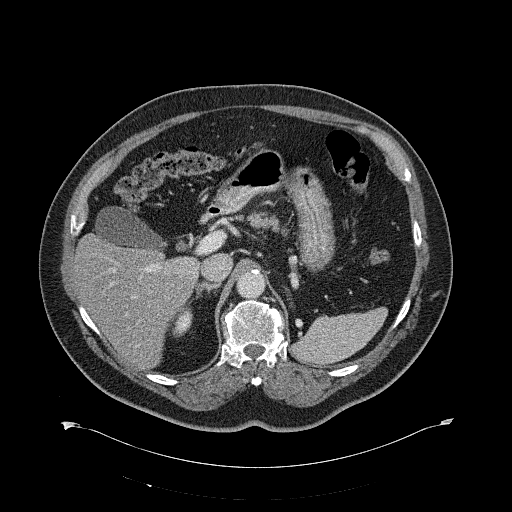
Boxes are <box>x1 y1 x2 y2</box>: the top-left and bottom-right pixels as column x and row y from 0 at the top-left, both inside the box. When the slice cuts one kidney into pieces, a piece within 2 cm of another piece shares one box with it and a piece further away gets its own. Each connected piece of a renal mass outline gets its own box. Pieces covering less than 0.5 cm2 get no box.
Slice 429/734 of a contrast-enhanced abdominal CT, counting up from the lowest; pixel size 0.971 mm, slice thickness 2.00 mm. At <box>172 307 192 336</box>: right kidney (outlined area 417 px, about 3.9 cm2). No renal mass outline on this slice.
Acquired at 120 kVp and reconstructed with the B31f kernel.